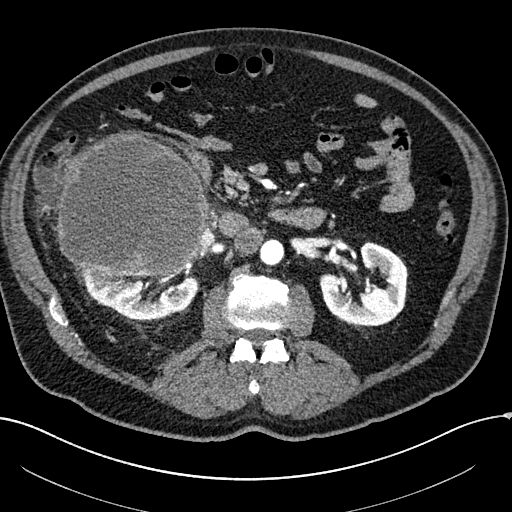
Abdominal CT with intravenous contrast, arterial phase, axial plane, 100 kVp, kernel I30f. Slice 113/304 from the bottom of the scan; thickness 2.00 mm; pixel size 0.809 mm.
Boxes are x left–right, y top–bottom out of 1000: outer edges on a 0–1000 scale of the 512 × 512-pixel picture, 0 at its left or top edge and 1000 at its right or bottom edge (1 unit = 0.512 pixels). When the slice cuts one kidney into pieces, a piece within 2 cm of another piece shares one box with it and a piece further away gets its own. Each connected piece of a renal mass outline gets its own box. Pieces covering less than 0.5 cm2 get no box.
Three boxes on this slice (two kidney boxes and one renal mass box), listed by box centre from the image's left to its right. (1) Box x 111–404, y 254–541 out of 1000: right renal mass (outlined area 17,901 px, about 117.0 cm2). (2) Box x 143–391, y 504–627 out of 1000: right kidney (outlined area 4,205 px, about 27.5 cm2). (3) Left kidney at x 623–799, y 471–643 out of 1000 (outlined area 5,024 px, about 32.8 cm2).